Arterial-phase contrast-enhanced abdominal CT, axial slice 31 of 121 (counted from the lowest slice); tube voltage 120 kVp, convolution kernel STANDARD; slices 2.50 mm thick, 0.861 mm per pixel.
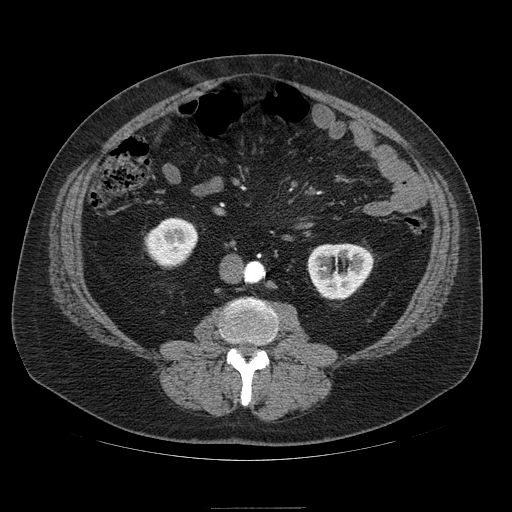
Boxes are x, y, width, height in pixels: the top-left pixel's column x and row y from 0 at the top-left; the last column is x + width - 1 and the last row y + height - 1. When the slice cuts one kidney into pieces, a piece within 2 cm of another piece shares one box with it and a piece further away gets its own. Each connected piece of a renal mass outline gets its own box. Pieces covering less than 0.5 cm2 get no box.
Two boxes on this slice (two kidney boxes), listed by box centre from the image's left to its right. (1) Right kidney, box x 144, y 218, width 54, height 50 (outlined area 1,963 px, about 14.6 cm2). (2) Left kidney at x 307, y 243, width 67, height 57 (outlined area 2,816 px, about 20.9 cm2). This slice carries no renal mass outline.